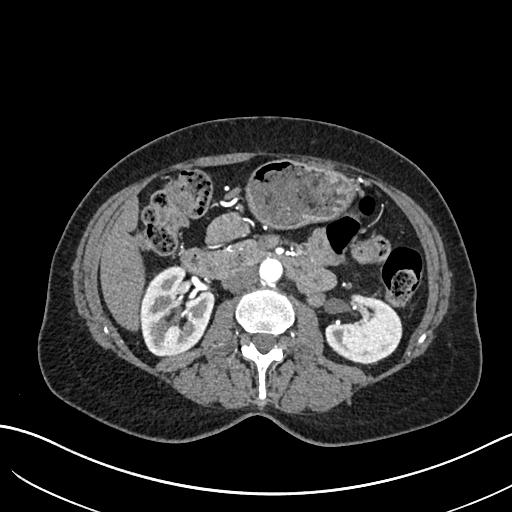
One axial slice (361 of 683, counting up from the lowest) of an arterial-phase abdominal CT acquired with 120 kVp, kernel I30f; each pixel is 0.738 mm and the slice is 1.00 mm thick.
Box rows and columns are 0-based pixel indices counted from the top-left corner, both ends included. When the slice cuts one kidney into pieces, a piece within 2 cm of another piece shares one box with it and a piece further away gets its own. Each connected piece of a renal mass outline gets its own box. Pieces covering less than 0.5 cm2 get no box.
Two kidney boxes on this slice; by box centre, from the image's left to its right: (1) Right kidney, box rows 265–355, columns 139–215 (outlined area 5,084 px, about 27.7 cm2). (2) Left kidney, box rows 295–361, columns 325–402 (outlined area 3,529 px, about 19.2 cm2). This slice carries no renal mass outline.